Axial slice 564 of 735 of a contrast-enhanced abdominal CT in the arterial phase (slice 1 is the lowest), 120 kVp, kernel I30f; 1.00 mm slice thickness and 0.789 mm pixels.
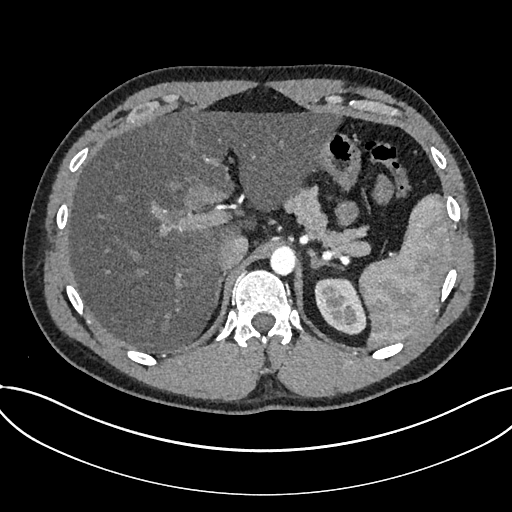
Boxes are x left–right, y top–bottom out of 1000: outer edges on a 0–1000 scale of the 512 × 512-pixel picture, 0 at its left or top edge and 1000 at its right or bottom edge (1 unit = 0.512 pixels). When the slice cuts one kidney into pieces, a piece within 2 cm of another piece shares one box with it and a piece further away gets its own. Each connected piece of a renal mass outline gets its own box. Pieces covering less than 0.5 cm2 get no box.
Kidney at x 613–715, y 543–656 out of 1000 (outlined area 2,202 px, about 13.7 cm2). No renal mass outline on this slice.